Abdominal CT with intravenous contrast, arterial phase, axial plane, 120 kVp, kernel B20f. Slice 366/634 from the bottom of the scan; thickness 1.00 mm; pixel size 0.838 mm.
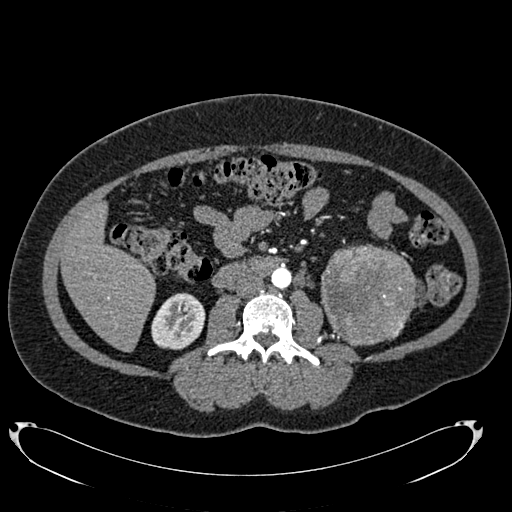
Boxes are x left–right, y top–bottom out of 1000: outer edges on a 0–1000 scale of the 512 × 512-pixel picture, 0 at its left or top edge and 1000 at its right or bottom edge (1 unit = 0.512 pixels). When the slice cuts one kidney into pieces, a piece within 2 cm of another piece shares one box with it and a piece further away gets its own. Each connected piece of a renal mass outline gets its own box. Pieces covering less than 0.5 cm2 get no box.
Two boxes on this slice (one kidney box and one renal mass box), listed by box centre from the image's left to its right. (1) Box x 295–402, y 570–684 out of 1000: right kidney (outlined area 2,385 px, about 16.7 cm2). (2) Box x 627–814, y 477–678 out of 1000: left renal mass (outlined area 7,834 px, about 55.0 cm2); here it is more than 1 cm from any kidney outline, though on another slice the same outlined renal mass lies within 1 cm of the kidney.